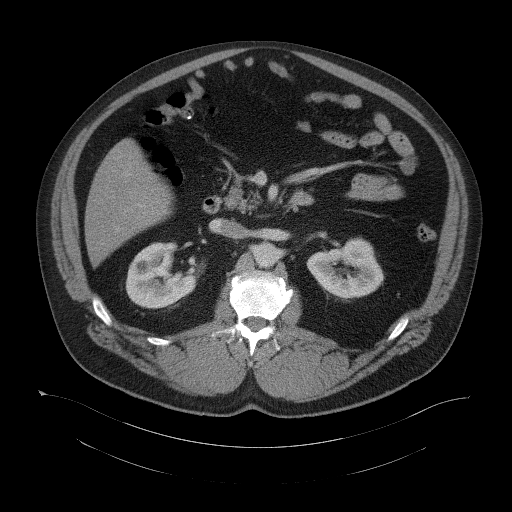
Contrast-enhanced abdominal CT, axial slice 69 of 104 (counted from the lowest slice); tube voltage 120 kVp, convolution kernel B41f; slices 5.00 mm thick, 0.977 mm per pixel.
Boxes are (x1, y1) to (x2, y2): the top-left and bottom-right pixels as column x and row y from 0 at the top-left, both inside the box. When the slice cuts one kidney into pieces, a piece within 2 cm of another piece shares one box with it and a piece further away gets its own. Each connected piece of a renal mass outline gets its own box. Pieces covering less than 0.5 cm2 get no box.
Two boxes on this slice (two kidney boxes), listed by box centre from the image's left to its right. (1) Right kidney from (125, 242) to (197, 308) (outlined area 3,351 px, about 32.0 cm2). (2) Left kidney, box (307, 237) to (383, 298) (outlined area 3,214 px, about 30.7 cm2). No renal mass is outlined on this slice.